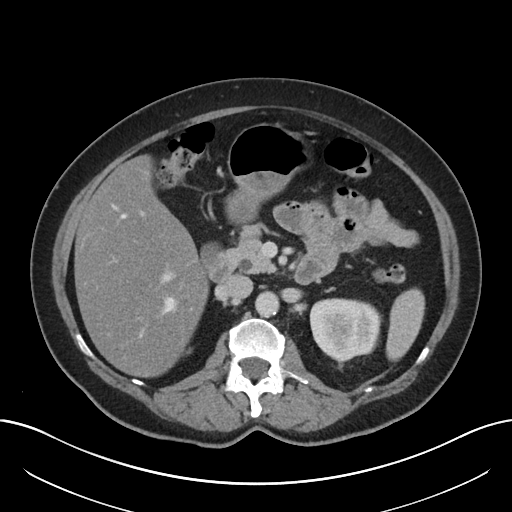
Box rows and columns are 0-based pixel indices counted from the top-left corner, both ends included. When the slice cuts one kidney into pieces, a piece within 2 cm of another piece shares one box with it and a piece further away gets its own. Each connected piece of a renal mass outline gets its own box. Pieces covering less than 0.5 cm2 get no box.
Slice 126/197 of a contrast-enhanced abdominal CT, counting up from the lowest; pixel size 0.791 mm, slice thickness 5.00 mm. Box rows 298–362, columns 310–381: left kidney (outlined area 3,705 px, about 23.2 cm2). This slice carries no renal mass outline.
Acquired at 120 kVp and reconstructed with the I30f kernel.